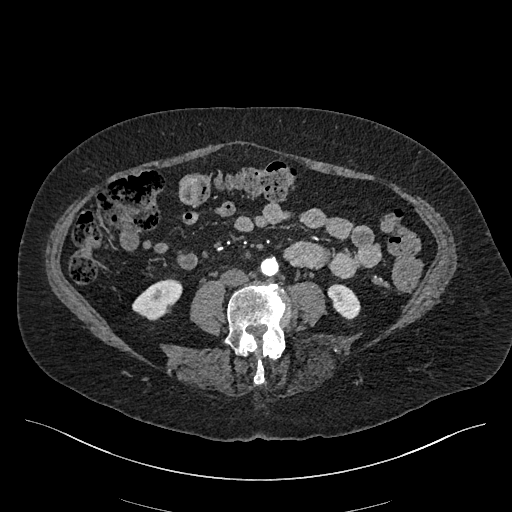
Arterial-phase contrast-enhanced abdominal CT, axial slice 157 of 548 (counted from the lowest slice); tube voltage 120 kVp, convolution kernel I26f; slices 1.00 mm thick, 0.852 mm per pixel.
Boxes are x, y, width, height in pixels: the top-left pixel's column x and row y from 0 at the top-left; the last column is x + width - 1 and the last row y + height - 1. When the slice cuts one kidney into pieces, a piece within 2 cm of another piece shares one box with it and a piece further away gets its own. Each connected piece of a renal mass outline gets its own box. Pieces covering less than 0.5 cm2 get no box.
Two boxes on this slice (two kidney boxes), listed by box centre from the image's left to its right. (1) Box x 132, y 278, width 51, height 43: right kidney (outlined area 1,351 px, about 9.8 cm2). (2) Left kidney at x 327, y 284, width 34, height 36 (outlined area 827 px, about 6.0 cm2). This slice carries no renal mass outline.